Contrast-enhanced abdominal CT, axial slice 21 of 55 (counted from the lowest slice); tube voltage 120 kVp, convolution kernel B30f; slices 5.00 mm thick, 0.908 mm per pixel.
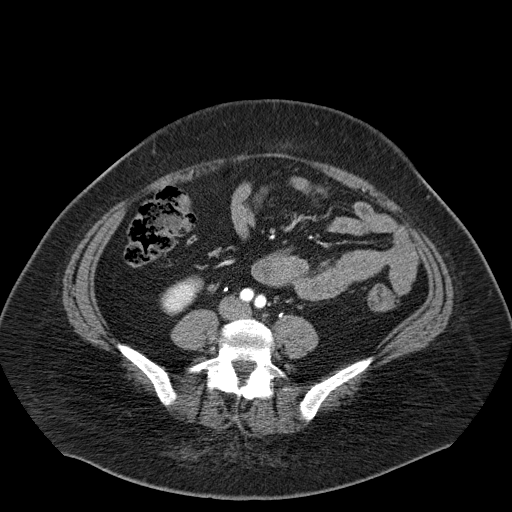
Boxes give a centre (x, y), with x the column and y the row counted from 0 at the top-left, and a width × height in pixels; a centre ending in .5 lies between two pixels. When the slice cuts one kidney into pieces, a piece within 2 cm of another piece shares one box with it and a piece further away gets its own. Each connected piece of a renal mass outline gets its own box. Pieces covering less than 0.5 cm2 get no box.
Right kidney, box centre (181.5, 295), 44 × 41 pixels (outlined area 1,090 px, about 9.0 cm2). No renal mass is outlined on this slice.